Axial slice 340 of 673 of a contrast-enhanced abdominal CT in the arterial phase (slice 1 is the lowest), 120 kVp, kernel I30f; 1.00 mm slice thickness and 0.855 mm pixels.
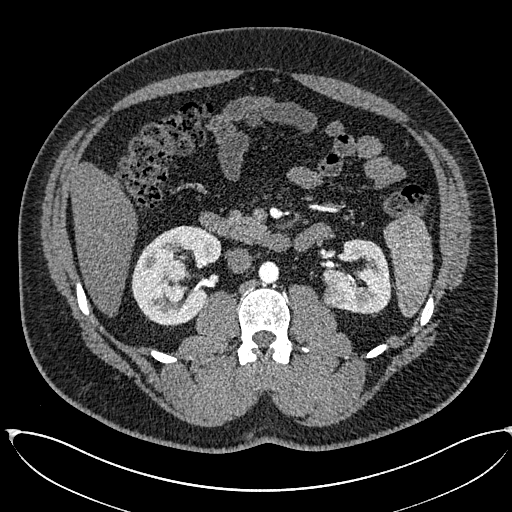
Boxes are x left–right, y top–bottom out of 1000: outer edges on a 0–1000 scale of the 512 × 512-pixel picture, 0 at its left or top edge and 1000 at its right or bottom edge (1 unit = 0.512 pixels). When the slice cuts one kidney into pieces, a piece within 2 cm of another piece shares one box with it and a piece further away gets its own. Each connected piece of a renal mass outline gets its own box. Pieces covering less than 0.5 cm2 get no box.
Boxed on this slice (two kidney boxes and two renal mass boxes), listed by box centre from the image's left to its right: (1) Right kidney, box x 256–434, y 439–637 out of 1000 (outlined area 5,630 px, about 41.2 cm2). (2) Right renal mass, box x 320–369, y 508–592 out of 1000 (outlined area 822 px, about 6.0 cm2). (3) Left renal mass, box x 629–684, y 559–604 out of 1000 (outlined area 493 px, about 3.6 cm2). (4) Left kidney at x 629–766, y 465–613 out of 1000 (outlined area 3,455 px, about 25.3 cm2).